Arterial-phase contrast-enhanced abdominal CT, axial slice 388 of 738 (counted from the lowest slice); tube voltage 120 kVp, convolution kernel I30f; slices 1.00 mm thick, 0.789 mm per pixel.
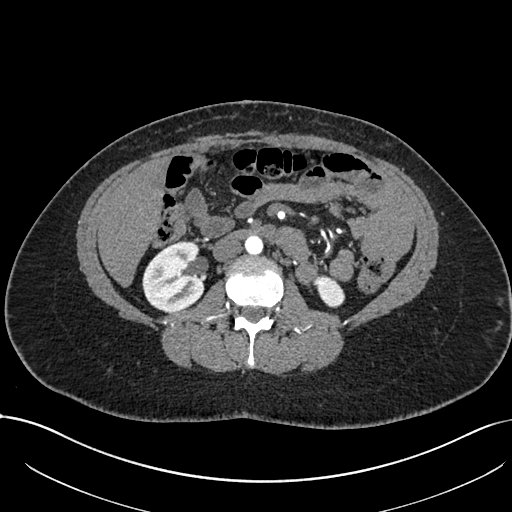
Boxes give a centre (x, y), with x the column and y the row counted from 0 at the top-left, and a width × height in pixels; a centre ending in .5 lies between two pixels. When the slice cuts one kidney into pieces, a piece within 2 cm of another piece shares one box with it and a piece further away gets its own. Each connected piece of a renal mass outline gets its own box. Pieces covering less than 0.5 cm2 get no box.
Two boxes on this slice (two kidney boxes), listed by box centre from the image's left to its right. (1) Right kidney in a box with centre (173, 276), 63 × 73 pixels (outlined area 3,495 px, about 21.8 cm2). (2) Box centre (329.5, 291.5), 32 × 32 pixels: left kidney (outlined area 701 px, about 4.4 cm2). No renal mass is outlined on this slice.